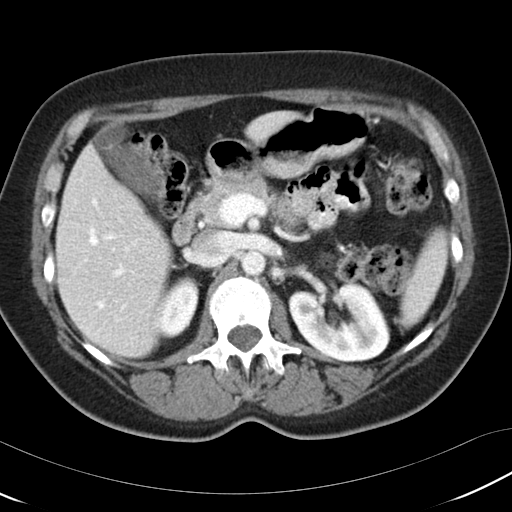
One axial slice (70 of 97, counting up from the lowest) of a contrast-enhanced abdominal CT acquired with 120 kVp, kernel B30f; each pixel is 0.664 mm and the slice is 5.00 mm thick.
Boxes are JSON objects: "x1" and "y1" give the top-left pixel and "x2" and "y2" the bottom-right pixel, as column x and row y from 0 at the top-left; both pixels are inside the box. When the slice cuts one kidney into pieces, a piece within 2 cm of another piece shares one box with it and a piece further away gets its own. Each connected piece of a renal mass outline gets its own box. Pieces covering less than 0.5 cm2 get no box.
Boxed on this slice (two kidney boxes), listed by box centre from the image's left to its right: (1) Right kidney at {"x1": 151, "y1": 275, "x2": 199, "y2": 338} (outlined area 2,047 px, about 9.0 cm2). (2) Box {"x1": 288, "y1": 282, "x2": 389, "y2": 363}: left kidney (outlined area 5,995 px, about 26.4 cm2). No renal mass is outlined on this slice.